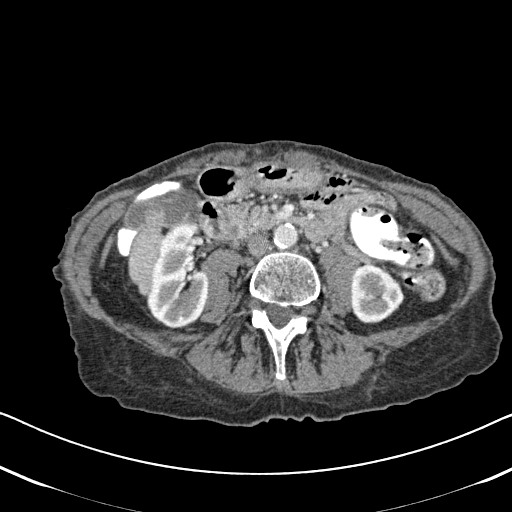
One axial slice (252 of 620, counting up from the lowest) of an arterial-phase abdominal CT acquired with 120 kVp, kernel B31f; each pixel is 0.637 mm and the slice is 2.00 mm thick.
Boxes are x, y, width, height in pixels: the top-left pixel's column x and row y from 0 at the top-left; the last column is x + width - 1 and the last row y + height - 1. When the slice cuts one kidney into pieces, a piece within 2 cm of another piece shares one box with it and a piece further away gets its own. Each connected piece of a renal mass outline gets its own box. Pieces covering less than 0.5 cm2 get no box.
Two kidney boxes on this slice; by box centre, from the image's left to its right: (1) Right kidney at x 146, y 224, width 64, height 105 (outlined area 5,021 px, about 20.4 cm2). (2) Box x 350, y 263, width 55, height 61: left kidney (outlined area 2,534 px, about 10.3 cm2). No renal mass is outlined on this slice.